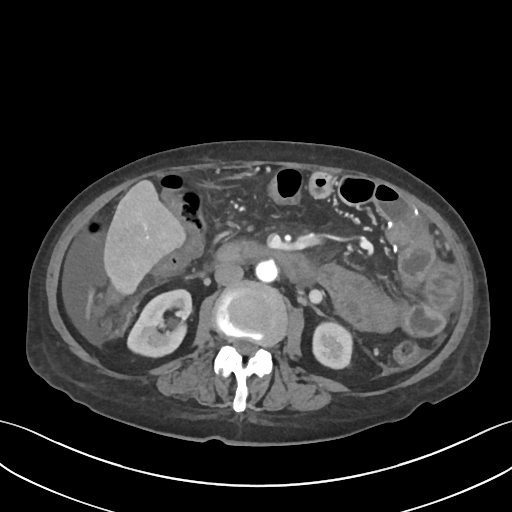
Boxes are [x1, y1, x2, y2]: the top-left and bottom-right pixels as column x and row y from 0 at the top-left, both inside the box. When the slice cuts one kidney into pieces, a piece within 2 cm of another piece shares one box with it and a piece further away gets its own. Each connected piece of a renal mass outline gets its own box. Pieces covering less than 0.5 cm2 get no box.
Contrast-enhanced abdominal CT, axial slice 30 of 109 (counted from the lowest slice); 3.00 mm thick, 0.742 mm per pixel. Two boxes on this slice (two kidney boxes), listed by box centre from the image's left to its right. (1) Right kidney at [126, 288, 193, 358] (outlined area 3,234 px, about 17.8 cm2). (2) Left kidney, box [312, 319, 353, 369] (outlined area 1,734 px, about 9.6 cm2). No renal mass is outlined on this slice.
Scan settings: 120 kVp, I30f reconstruction kernel.